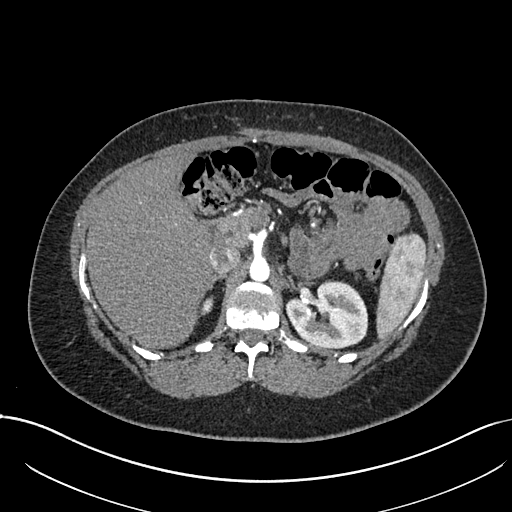
Abdominal CT with intravenous contrast, arterial phase, axial plane, 120 kVp, kernel I30f. Slice 497/738 from the bottom of the scan; thickness 1.00 mm; pixel size 0.789 mm.
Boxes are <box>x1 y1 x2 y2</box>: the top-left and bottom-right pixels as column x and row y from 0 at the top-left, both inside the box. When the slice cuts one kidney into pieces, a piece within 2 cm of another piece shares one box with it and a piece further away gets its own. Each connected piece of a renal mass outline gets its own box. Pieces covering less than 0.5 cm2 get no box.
Two kidney boxes on this slice; by box centre, from the image's left to its right: (1) At <box>201 298 212 315</box>: right kidney (outlined area 143 px, about 0.9 cm2). (2) Left kidney: <box>285 280 368 347</box> (outlined area 4,251 px, about 26.5 cm2). This slice carries no renal mass outline.